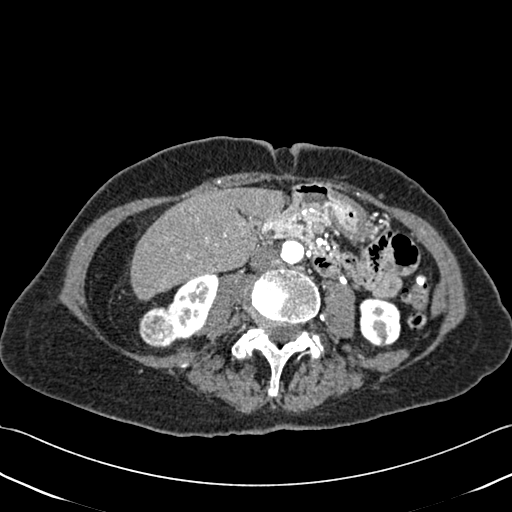
Contrast-enhanced abdominal CT, axial slice 179 of 433 (counted from the lowest slice); tube voltage 120 kVp, convolution kernel B30f; slices 1.00 mm thick, 0.672 mm per pixel.
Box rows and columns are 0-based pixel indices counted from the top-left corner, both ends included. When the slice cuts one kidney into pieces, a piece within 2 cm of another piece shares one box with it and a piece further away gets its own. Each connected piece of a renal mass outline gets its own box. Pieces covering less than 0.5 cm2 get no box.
Boxed on this slice (two kidney boxes and one renal mass box), listed by box centre from the image's left to its right: (1) Right renal mass, box rows 304–348, columns 139–178 (outlined area 1,308 px, about 5.9 cm2). (2) Box rows 274–340, columns 166–218: right kidney (outlined area 2,120 px, about 9.6 cm2). (3) Box rows 297–347, columns 359–400: left kidney (outlined area 1,742 px, about 7.9 cm2).